Abdominal CT with intravenous contrast, arterial phase, axial plane, 120 kVp, kernel STANDARD. Slice 210/389 from the bottom of the scan; thickness 1.25 mm; pixel size 0.869 mm.
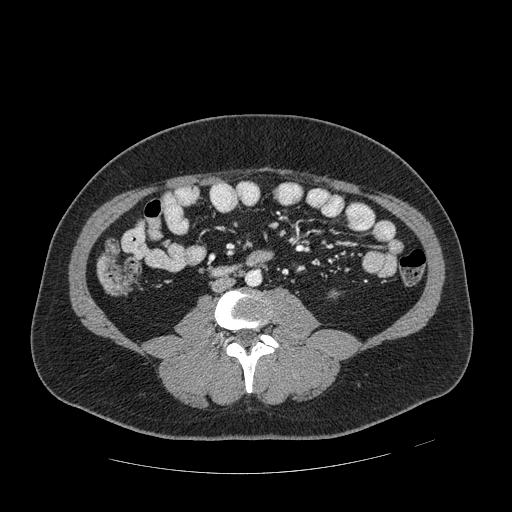
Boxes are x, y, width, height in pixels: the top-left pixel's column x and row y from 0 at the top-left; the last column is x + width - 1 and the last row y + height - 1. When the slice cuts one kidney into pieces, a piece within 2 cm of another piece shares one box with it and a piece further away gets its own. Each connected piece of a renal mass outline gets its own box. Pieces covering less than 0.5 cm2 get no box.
Left kidney at x 329, y 290, width 11, height 9 (outlined area 73 px, about 0.6 cm2). No renal mass outline on this slice.